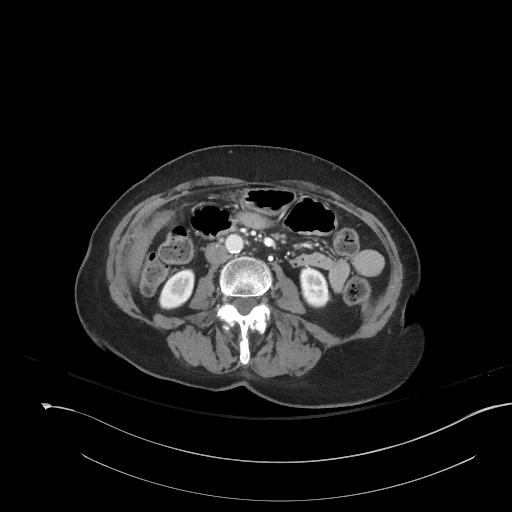
Abdominal CT with intravenous contrast, axial plane, 120 kVp, kernel I41f. Slice 85/153 from the bottom of the scan; thickness 3.00 mm; pixel size 0.893 mm.
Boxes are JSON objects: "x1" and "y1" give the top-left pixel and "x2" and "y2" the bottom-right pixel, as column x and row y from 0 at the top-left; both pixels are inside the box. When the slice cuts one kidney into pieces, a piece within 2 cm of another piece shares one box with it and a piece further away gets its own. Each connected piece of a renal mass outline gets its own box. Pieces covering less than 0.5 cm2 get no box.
Two kidney boxes on this slice; by box centre, from the image's left to its right: (1) Box {"x1": 158, "y1": 268, "x2": 195, "y2": 310}: right kidney (outlined area 1,104 px, about 8.8 cm2). (2) Left kidney, box {"x1": 299, "y1": 266, "x2": 331, "y2": 308} (outlined area 1,032 px, about 8.2 cm2). No renal mass is outlined on this slice.